Abdominal CT with intravenous contrast, arterial phase, axial plane, 120 kVp, kernel B20f. Slice 339/634 from the bottom of the scan; thickness 1.00 mm; pixel size 0.838 mm.
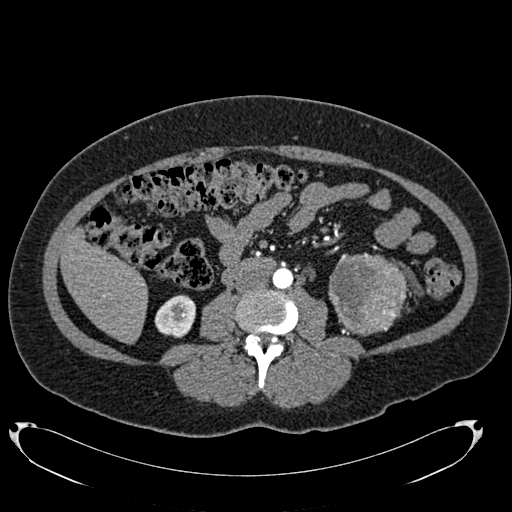
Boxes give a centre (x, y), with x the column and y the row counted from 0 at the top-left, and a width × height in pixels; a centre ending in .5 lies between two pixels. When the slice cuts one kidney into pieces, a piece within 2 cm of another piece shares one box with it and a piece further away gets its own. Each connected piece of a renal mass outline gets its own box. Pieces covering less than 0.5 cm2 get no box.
Boxed on this slice (one kidney box and one renal mass box), listed by box centre from the image's left to its right: (1) Right kidney, box centre (174.5, 315.5), 42 × 44 pixels (outlined area 1,365 px, about 9.6 cm2). (2) Box centre (367, 293.5), 79 × 84 pixels: left renal mass (outlined area 5,093 px, about 35.8 cm2); it sits over 1 cm from every kidney outline on this slice, but the same outlined renal mass comes within 1 cm of the kidney on another slice.